Contrast-enhanced abdominal CT, axial slice 519 of 787 (counted from the lowest slice); tube voltage 140 kVp, convolution kernel I30f; slices 1.00 mm thick, 0.910 mm per pixel.
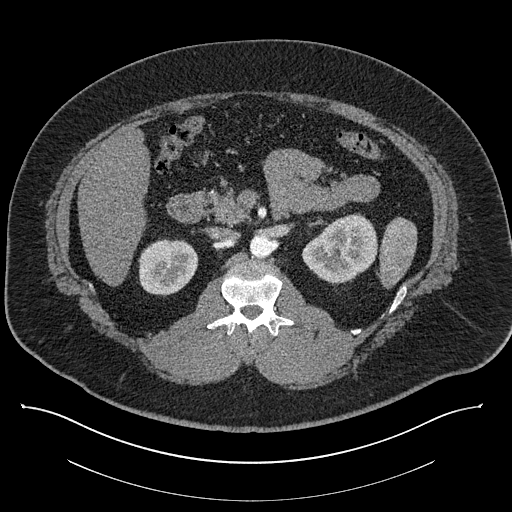
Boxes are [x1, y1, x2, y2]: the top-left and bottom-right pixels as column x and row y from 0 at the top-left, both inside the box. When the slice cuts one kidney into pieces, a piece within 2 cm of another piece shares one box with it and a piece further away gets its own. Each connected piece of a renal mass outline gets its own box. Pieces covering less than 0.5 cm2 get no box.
Two kidney boxes on this slice; by box centre, from the image's left to its right: (1) Box [138, 238, 198, 296]: right kidney (outlined area 2,739 px, about 22.7 cm2). (2) Left kidney at [301, 213, 377, 284] (outlined area 3,808 px, about 31.5 cm2). This slice carries no renal mass outline.